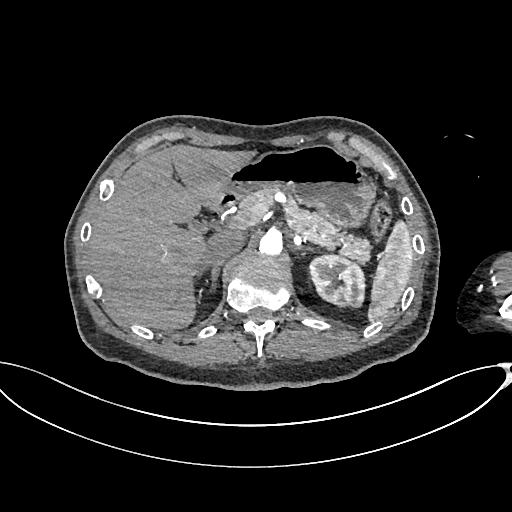
One axial slice (480 of 665, counting up from the lowest) of an arterial-phase abdominal CT acquired with 100 kVp, kernel I26f; each pixel is 0.828 mm and the slice is 1.00 mm thick.
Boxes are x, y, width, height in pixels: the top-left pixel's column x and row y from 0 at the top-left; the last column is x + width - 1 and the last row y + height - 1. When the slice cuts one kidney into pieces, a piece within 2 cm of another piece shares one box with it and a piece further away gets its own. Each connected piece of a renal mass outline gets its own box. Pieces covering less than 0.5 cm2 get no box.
Left kidney at x 307, y 253, width 60, height 56 (outlined area 2,463 px, about 16.9 cm2). This slice carries no renal mass outline.